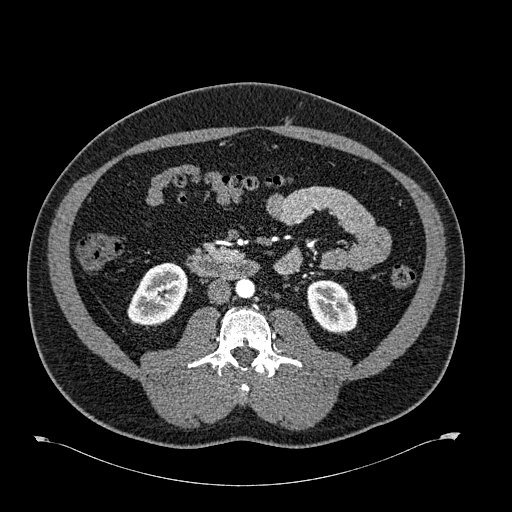
One axial slice (303 of 723, counting up from the lowest) of an arterial-phase abdominal CT acquired with 120 kVp, kernel B30f; each pixel is 0.895 mm and the slice is 1.00 mm thick.
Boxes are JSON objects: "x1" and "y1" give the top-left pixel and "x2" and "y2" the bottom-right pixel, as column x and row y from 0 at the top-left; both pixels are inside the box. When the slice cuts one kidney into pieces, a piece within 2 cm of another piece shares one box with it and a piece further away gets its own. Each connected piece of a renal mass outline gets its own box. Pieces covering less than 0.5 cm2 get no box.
Two kidney boxes on this slice; by box centre, from the image's left to its right: (1) Box {"x1": 127, "y1": 262, "x2": 187, "y2": 326}: right kidney (outlined area 2,789 px, about 22.3 cm2). (2) Box {"x1": 307, "y1": 280, "x2": 357, "y2": 333}: left kidney (outlined area 2,080 px, about 16.6 cm2). No renal mass is outlined on this slice.